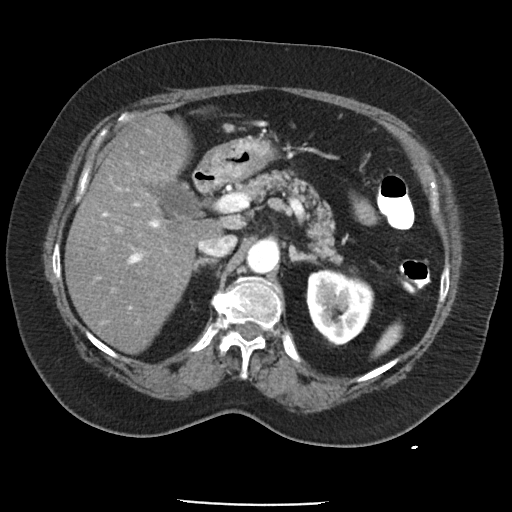
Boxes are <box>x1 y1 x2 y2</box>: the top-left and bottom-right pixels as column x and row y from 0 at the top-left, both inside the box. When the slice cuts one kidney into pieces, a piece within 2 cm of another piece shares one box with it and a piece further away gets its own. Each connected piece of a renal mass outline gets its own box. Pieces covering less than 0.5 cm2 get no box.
Slice 65/85 of a contrast-enhanced abdominal CT in the arterial phase, counting up from the lowest; pixel size 0.741 mm, slice thickness 5.00 mm. Left kidney: <box>305 268 374 346</box> (outlined area 4,032 px, about 22.1 cm2). No renal mass is outlined on this slice.
Acquired at 120 kVp and reconstructed with the FC19 kernel.